Axial slice 15 of 38 of a contrast-enhanced abdominal CT in the arterial phase (slice 1 is the lowest), 100 kVp, kernel I40f; 5.00 mm slice thickness and 0.822 mm pixels.
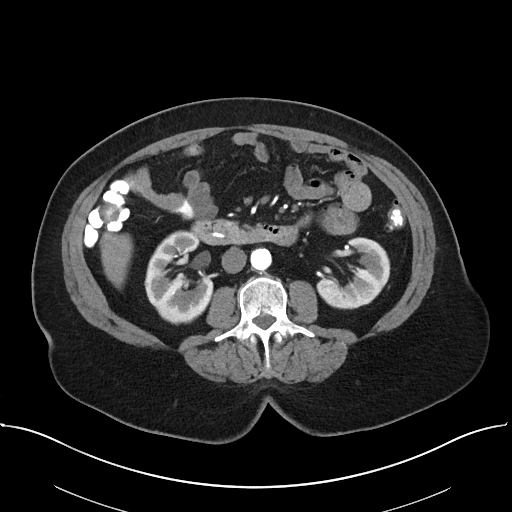
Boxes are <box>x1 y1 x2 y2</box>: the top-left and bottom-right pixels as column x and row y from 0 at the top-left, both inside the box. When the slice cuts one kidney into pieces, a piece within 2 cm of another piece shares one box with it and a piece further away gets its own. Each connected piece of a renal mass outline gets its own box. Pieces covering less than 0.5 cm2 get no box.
Two boxes on this slice (two kidney boxes), listed by box centre from the image's left to its right. (1) Right kidney: <box>144 230 213 324</box> (outlined area 4,467 px, about 30.2 cm2). (2) Left kidney at <box>316 237 390 309</box> (outlined area 3,294 px, about 22.3 cm2). No renal mass is outlined on this slice.